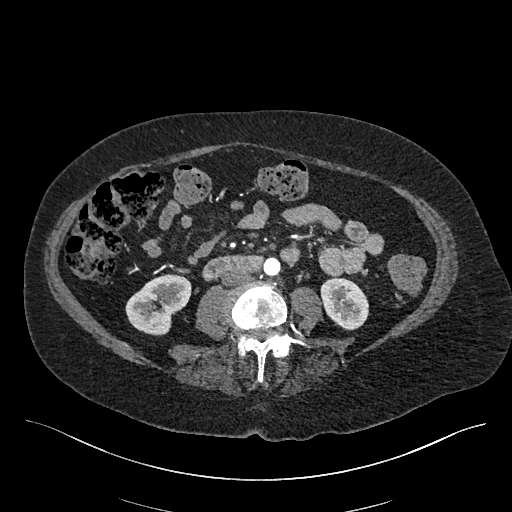
Axial slice 182 of 548 of a contrast-enhanced abdominal CT in the arterial phase (slice 1 is the lowest), 120 kVp, kernel I26f; 1.00 mm slice thickness and 0.852 mm pixels.
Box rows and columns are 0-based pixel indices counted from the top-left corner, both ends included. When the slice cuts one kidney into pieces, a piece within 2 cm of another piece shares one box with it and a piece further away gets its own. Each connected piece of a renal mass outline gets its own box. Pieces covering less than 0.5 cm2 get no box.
Two kidney boxes on this slice; by box centre, from the image's left to its right: (1) Right kidney at rows 274–335, columns 125–191 (outlined area 2,783 px, about 20.2 cm2). (2) Left kidney at rows 277–330, columns 320–368 (outlined area 1,957 px, about 14.2 cm2). No renal mass is outlined on this slice.